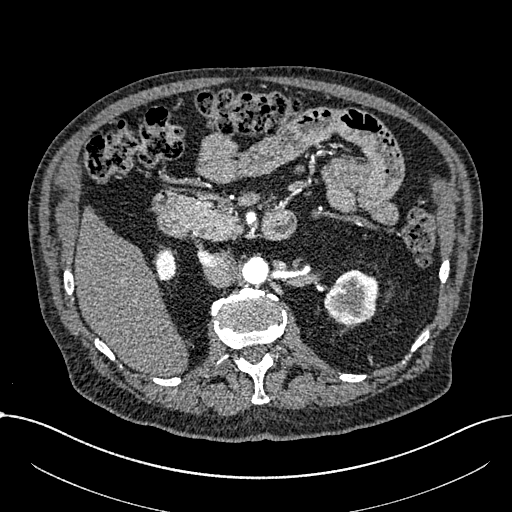
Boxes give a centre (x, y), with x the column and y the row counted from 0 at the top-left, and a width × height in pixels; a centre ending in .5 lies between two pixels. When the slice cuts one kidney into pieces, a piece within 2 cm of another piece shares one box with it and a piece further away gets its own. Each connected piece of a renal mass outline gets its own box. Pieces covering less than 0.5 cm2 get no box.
Arterial-phase contrast-enhanced abdominal CT, axial slice 429 of 1059 (counted from the lowest slice); 1.00 mm thick, 0.811 mm per pixel. Two boxes on this slice (two kidney boxes), listed by box centre from the image's left to its right. (1) Right part of the midline-crossing kidney in a box with centre (166, 266), 23 × 33 pixels (outlined area 538 px, about 3.5 cm2). (2) Left part of the midline-crossing kidney, box centre (351, 296.5), 55 × 56 pixels (outlined area 2,326 px, about 15.3 cm2). No renal mass outline on this slice.
Tube voltage 100 kVp; convolution kernel I30f.